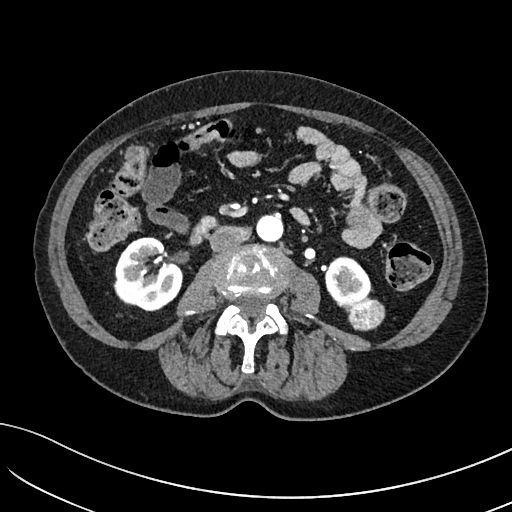
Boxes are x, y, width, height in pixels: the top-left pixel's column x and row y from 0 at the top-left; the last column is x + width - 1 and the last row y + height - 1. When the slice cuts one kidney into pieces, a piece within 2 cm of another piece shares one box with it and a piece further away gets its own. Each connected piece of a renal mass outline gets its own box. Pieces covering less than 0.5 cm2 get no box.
This is axial slice 32 of 234 (slice 1 is the lowest) of an arterial-phase abdominal CT with contrast; each pixel is 0.699 mm and the slice is 2.00 mm thick. Three boxes on this slice (two kidney boxes and one renal mass box), listed by box centre from the image's left to its right. (1) Right kidney at x 113, y 237, width 70, height 75 (outlined area 3,852 px, about 18.8 cm2). (2) Left kidney at x 324, y 256, width 49, height 52 (outlined area 1,681 px, about 8.2 cm2). (3) Box x 342, y 297, width 44, height 35: left renal mass (outlined area 1,097 px, about 5.4 cm2).
Tube voltage 100 kVp; convolution kernel I40f.